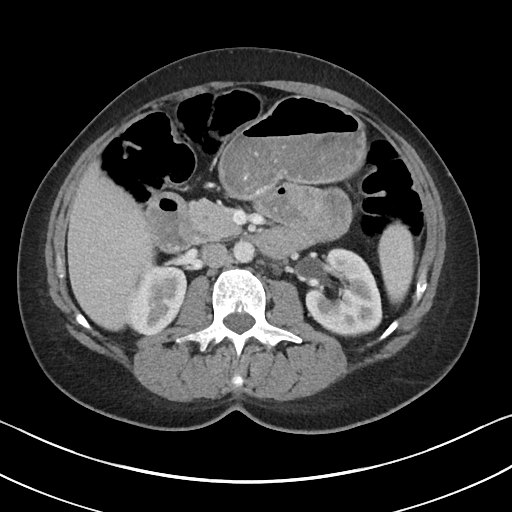
One axial slice (62 of 90, counting up from the lowest) of an arterial-phase abdominal CT acquired with 100 kVp, kernel I40f; each pixel is 0.703 mm and the slice is 5.00 mm thick.
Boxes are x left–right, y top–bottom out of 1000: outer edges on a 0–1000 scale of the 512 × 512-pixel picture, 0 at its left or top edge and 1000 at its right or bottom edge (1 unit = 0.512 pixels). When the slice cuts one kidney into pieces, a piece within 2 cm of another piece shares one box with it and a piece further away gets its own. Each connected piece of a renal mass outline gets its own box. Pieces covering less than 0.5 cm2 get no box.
Two kidney boxes on this slice; by box centre, from the image's left to its right: (1) Right kidney at x 254–367, y 518–656 out of 1000 (outlined area 3,063 px, about 15.1 cm2). (2) Left kidney, box x 596–748, y 484–660 out of 1000 (outlined area 4,964 px, about 24.5 cm2). This slice carries no renal mass outline.